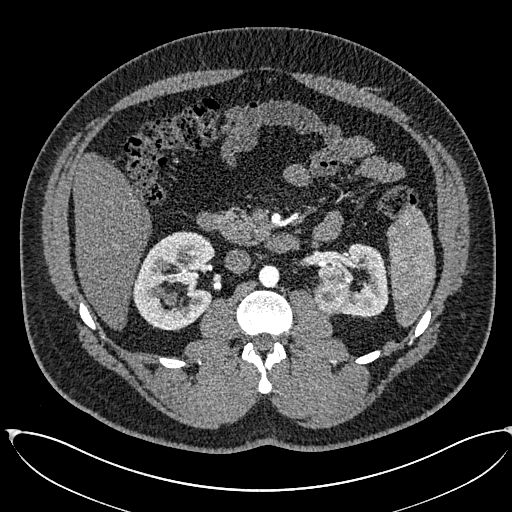
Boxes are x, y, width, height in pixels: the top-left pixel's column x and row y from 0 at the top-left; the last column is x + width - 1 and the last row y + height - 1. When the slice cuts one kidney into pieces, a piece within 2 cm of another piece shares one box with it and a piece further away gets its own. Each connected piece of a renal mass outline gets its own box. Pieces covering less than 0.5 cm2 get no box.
Slice 355/673 of a contrast-enhanced abdominal CT in the arterial phase, counting up from the lowest; pixel size 0.855 mm, slice thickness 1.00 mm. Three boxes on this slice (two kidney boxes and one renal mass box), listed by box centre from the image's left to its right. (1) Right kidney, box x 132, y 231, width 84, height 100 (outlined area 5,900 px, about 43.2 cm2). (2) Left renal mass, box x 313, y 277, width 40, height 39 (outlined area 1,204 px, about 8.8 cm2). (3) Left kidney, box x 318, y 243, width 71, height 74 (outlined area 3,003 px, about 22.0 cm2).
Scan settings: 120 kVp, I30f reconstruction kernel.